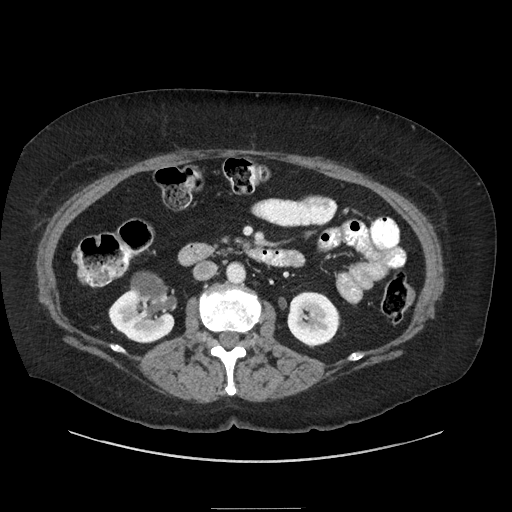
Abdominal CT with intravenous contrast, axial plane, 120 kVp, kernel STANDARD. Slice 119/186 from the bottom of the scan; thickness 2.50 mm; pixel size 0.850 mm.
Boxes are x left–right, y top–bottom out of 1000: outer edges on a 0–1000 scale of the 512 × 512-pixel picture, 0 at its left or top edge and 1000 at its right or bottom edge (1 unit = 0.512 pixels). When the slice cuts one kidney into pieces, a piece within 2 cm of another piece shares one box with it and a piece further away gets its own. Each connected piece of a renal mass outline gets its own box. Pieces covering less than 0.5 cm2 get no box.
Three boxes on this slice (two kidney boxes and one renal mass box), listed by box centre from the image's left to its right. (1) Box x 211–344, y 566–672 out of 1000: right kidney (outlined area 2,076 px, about 15.0 cm2). (2) Right renal mass, box x 254–348, y 529–617 out of 1000 (outlined area 1,375 px, about 9.9 cm2). (3) Box x 561–666, y 568–678 out of 1000: left kidney (outlined area 2,324 px, about 16.8 cm2).